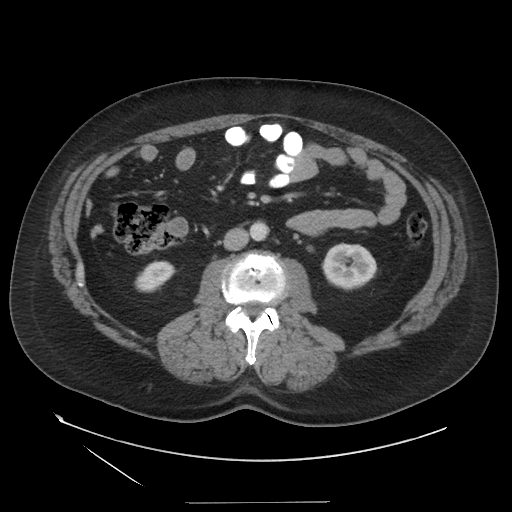
Abdominal CT with intravenous contrast, arterial phase, axial plane, 140 kVp, kernel STANDARD. Slice 69/129 from the bottom of the scan; thickness 3.75 mm; pixel size 0.938 mm.
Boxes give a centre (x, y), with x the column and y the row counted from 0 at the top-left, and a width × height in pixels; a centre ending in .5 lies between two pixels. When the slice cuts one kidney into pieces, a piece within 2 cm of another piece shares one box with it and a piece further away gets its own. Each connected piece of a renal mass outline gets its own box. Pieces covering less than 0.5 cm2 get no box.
Two kidney boxes on this slice; by box centre, from the image's left to its right: (1) Box centre (154.5, 276), 42 × 33 pixels: right kidney (outlined area 905 px, about 8.0 cm2). (2) Left kidney, box centre (349, 266.5), 57 × 48 pixels (outlined area 2,047 px, about 18.0 cm2). No renal mass is outlined on this slice.